One axial slice (195 of 548, counting up from the lowest) of an arterial-phase abdominal CT acquired with 120 kVp, kernel I26f; each pixel is 0.852 mm and the slice is 1.00 mm thick.
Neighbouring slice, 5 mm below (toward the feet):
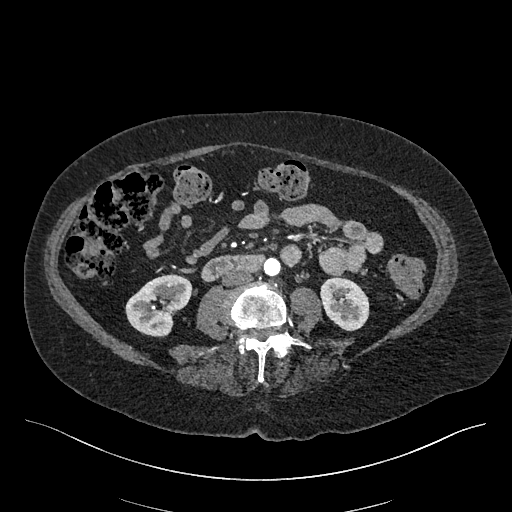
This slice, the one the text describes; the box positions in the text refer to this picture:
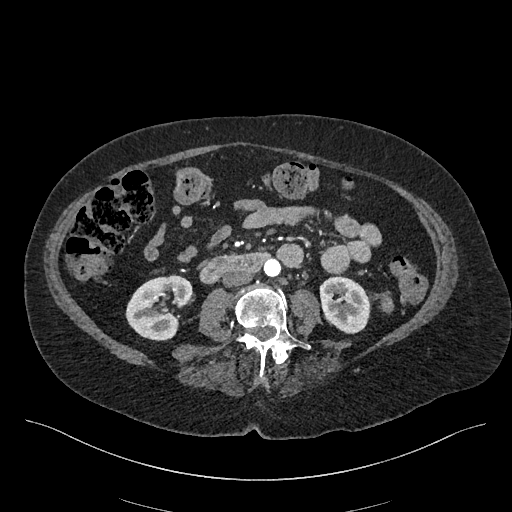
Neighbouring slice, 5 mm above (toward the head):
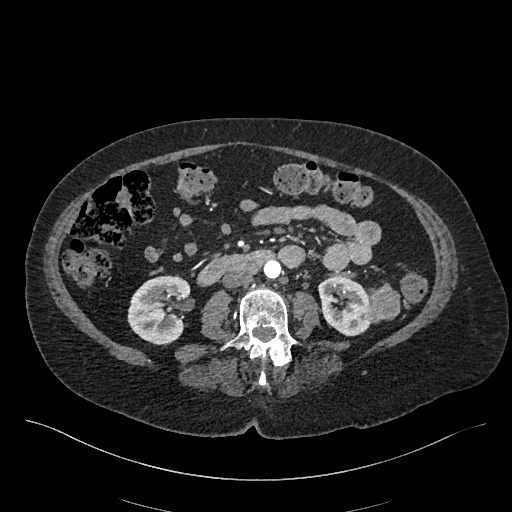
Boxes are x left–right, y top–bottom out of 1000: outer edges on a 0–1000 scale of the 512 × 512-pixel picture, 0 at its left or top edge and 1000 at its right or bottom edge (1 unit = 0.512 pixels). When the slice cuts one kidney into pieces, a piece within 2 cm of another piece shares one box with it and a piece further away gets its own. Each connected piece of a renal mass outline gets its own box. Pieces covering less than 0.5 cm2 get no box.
Two kidney boxes and one renal mass box on this slice; by box centre, from the image's left to its right: (1) Right kidney at x 244–377, y 535–666 out of 1000 (outlined area 3,111 px, about 22.6 cm2). (2) Box x 623–725, y 537–652 out of 1000: left kidney (outlined area 2,317 px, about 16.8 cm2). (3) Box x 734–770, y 568–613 out of 1000: left renal mass (outlined area 254 px, about 1.8 cm2). This slice lies near the end of the left renal mass toward the feet; the slices 5 mm below and 5 mm above it are shown too, and the boxes mark positions on this slice only.